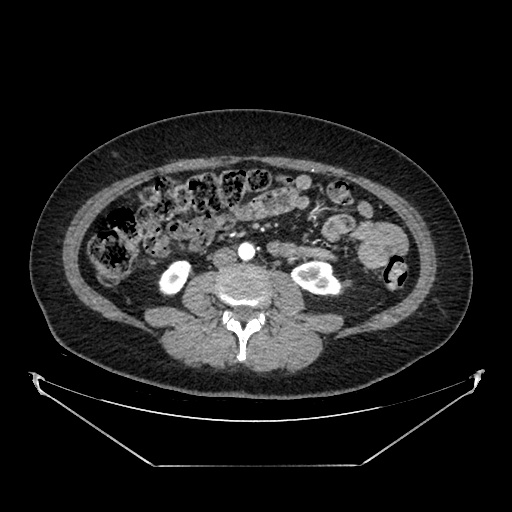
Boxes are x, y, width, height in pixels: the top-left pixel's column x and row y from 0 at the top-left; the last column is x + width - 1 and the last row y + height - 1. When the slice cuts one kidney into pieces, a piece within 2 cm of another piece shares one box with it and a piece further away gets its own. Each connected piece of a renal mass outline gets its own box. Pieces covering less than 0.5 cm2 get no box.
Arterial-phase contrast-enhanced abdominal CT, axial slice 192 of 383 (counted from the lowest slice); 1.25 mm thick, 0.898 mm per pixel. Boxed on this slice (two kidney boxes), listed by box centre from the image's left to its right: (1) Right kidney, box x 157, y 260, width 34, height 37 (outlined area 855 px, about 6.9 cm2). (2) Box x 290, y 260, width 51, height 36: left kidney (outlined area 1,318 px, about 10.6 cm2). No renal mass outline on this slice.
Scan settings: 100 kVp, SOFT reconstruction kernel.